Abdominal CT with intravenous contrast, arterial phase, axial plane, 120 kVp, kernel I30f. Slice 335/602 from the bottom of the scan; thickness 1.00 mm; pixel size 0.799 mm.
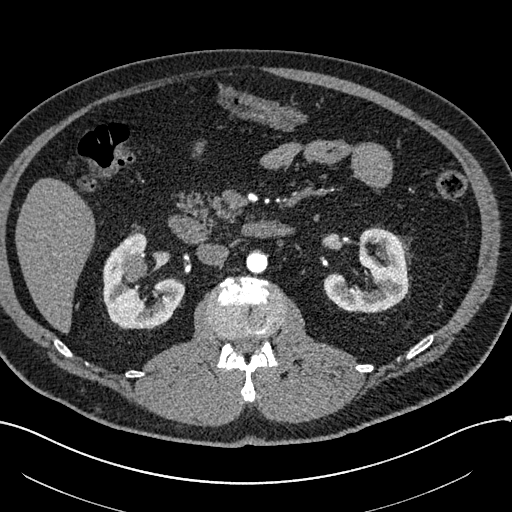
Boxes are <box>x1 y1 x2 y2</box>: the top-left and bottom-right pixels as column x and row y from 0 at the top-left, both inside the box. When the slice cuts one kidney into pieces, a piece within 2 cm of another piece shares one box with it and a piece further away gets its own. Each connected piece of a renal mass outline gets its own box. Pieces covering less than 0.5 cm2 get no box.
Boxed on this slice (two kidney boxes and one renal mass box), listed by box centre from the image's left to its right: (1) Right renal mass at <box>121 254 147 282</box> (outlined area 588 px, about 3.8 cm2). (2) At <box>103 232 185 329</box>: right kidney (outlined area 4,460 px, about 28.5 cm2). (3) At <box>324 228 408 313</box>: left kidney (outlined area 4,398 px, about 28.1 cm2).